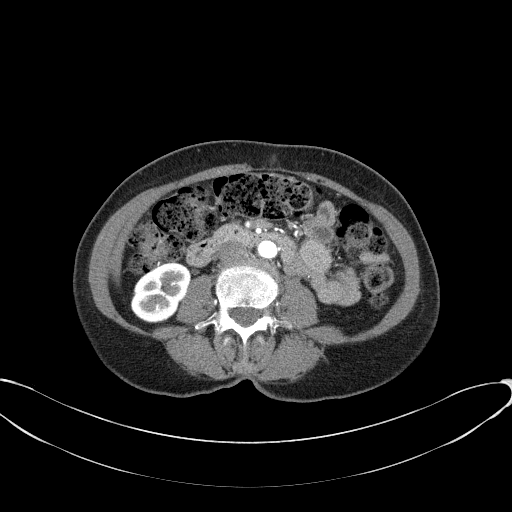
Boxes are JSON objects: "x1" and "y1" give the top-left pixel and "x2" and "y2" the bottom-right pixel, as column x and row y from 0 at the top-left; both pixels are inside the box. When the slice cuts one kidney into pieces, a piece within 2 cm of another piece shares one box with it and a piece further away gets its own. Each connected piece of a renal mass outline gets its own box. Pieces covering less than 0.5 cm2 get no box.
Slice 20/77 of a contrast-enhanced abdominal CT in the arterial phase, counting up from the lowest; pixel size 0.809 mm, slice thickness 3.00 mm. Right kidney, box {"x1": 130, "y1": 262, "x2": 191, "y2": 322} (outlined area 2,667 px, about 17.4 cm2). No renal mass outline on this slice.
Scan settings: 100 kVp, B41f reconstruction kernel.